Arterial-phase contrast-enhanced abdominal CT, axial slice 104 of 207 (counted from the lowest slice); tube voltage 120 kVp, convolution kernel FC18; slices 2.00 mm thick, 0.741 mm per pixel.
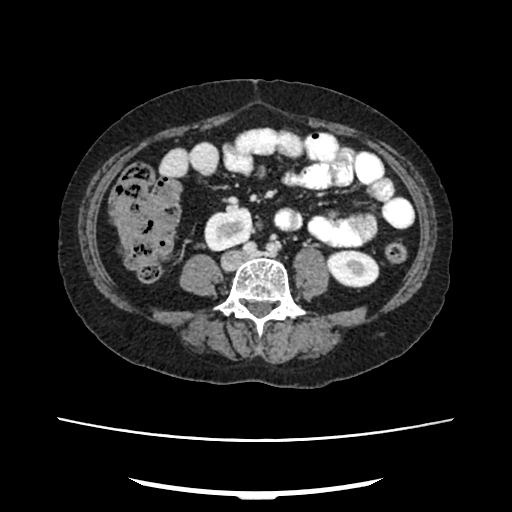
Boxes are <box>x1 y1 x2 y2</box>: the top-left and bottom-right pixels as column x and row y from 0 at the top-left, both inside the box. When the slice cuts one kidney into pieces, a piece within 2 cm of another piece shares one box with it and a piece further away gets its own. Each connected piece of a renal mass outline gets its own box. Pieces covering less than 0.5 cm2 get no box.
Two kidney boxes on this slice; by box centre, from the image's left to its right: (1) Right kidney: <box>204 207 252 251</box> (outlined area 1,677 px, about 9.2 cm2). (2) Left kidney: <box>325 248 379 288</box> (outlined area 1,624 px, about 8.9 cm2). No renal mass is outlined on this slice.